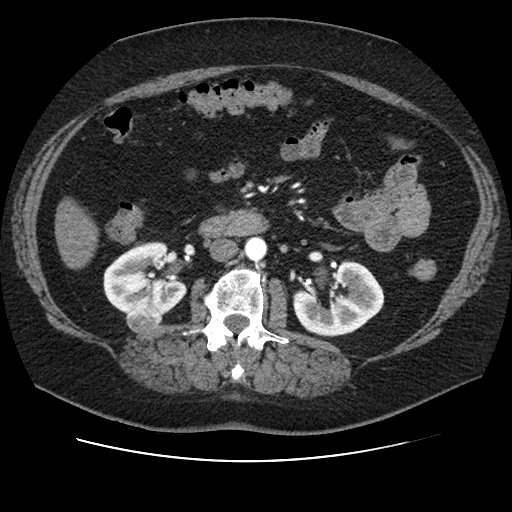
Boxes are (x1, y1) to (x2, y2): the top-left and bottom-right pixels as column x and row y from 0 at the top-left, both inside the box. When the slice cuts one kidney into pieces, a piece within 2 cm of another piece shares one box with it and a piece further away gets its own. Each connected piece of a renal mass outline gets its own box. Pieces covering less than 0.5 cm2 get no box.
Arterial-phase contrast-enhanced abdominal CT, axial slice 50 of 106 (counted from the lowest slice); 2.50 mm thick, 0.742 mm per pixel. Boxed on this slice (two kidney boxes and one renal mass box), listed by box centre from the image's left to its right: (1) Right renal mass from (126, 302) to (162, 334) (outlined area 894 px, about 4.9 cm2). (2) Right kidney from (103, 241) to (187, 314) (outlined area 4,348 px, about 24.0 cm2). (3) Left kidney, box (293, 260) to (384, 336) (outlined area 4,794 px, about 26.4 cm2).
Acquired at 120 kVp and reconstructed with the STANDARD kernel.